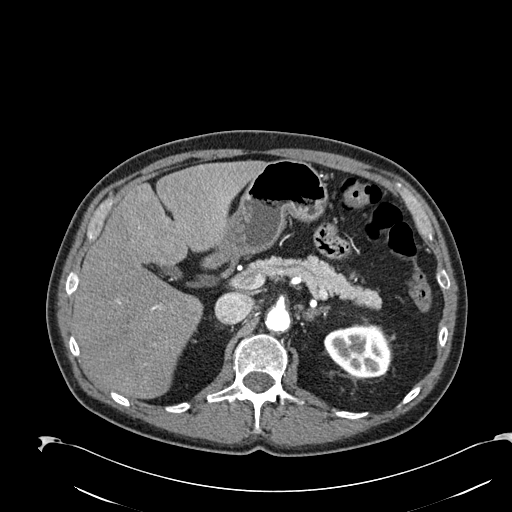
One axial slice (155 of 274, counting up from the lowest) of an arterial-phase abdominal CT acquired with 120 kVp, kernel B30f; each pixel is 0.809 mm and the slice is 2.00 mm thick.
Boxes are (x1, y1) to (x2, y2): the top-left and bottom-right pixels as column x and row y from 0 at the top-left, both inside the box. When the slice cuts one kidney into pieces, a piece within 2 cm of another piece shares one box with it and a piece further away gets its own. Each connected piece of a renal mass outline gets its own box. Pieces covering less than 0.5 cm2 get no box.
Left kidney, box (323, 325) to (391, 378) (outlined area 2,843 px, about 18.6 cm2). No renal mass is outlined on this slice.